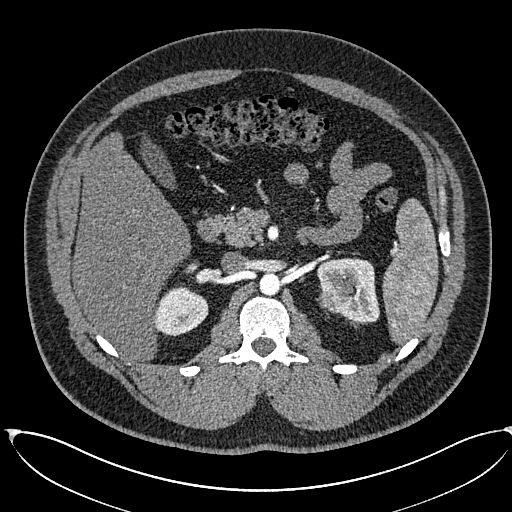
Axial slice 392 of 673 of a contrast-enhanced abdominal CT in the arterial phase (slice 1 is the lowest), 120 kVp, kernel I30f; 1.00 mm slice thickness and 0.855 mm pixels.
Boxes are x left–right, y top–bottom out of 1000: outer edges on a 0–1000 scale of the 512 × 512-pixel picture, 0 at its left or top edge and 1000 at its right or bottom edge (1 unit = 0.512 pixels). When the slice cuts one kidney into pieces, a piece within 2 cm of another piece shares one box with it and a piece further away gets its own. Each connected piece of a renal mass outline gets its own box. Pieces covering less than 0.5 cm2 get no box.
Two kidney boxes and one renal mass box on this slice; by box centre, from the image's left to its right: (1) Box x 301–408, y 512–658 out of 1000: right kidney (outlined area 2,167 px, about 15.9 cm2). (2) Left renal mass, box x 619–693, y 559–615 out of 1000 (outlined area 831 px, about 6.1 cm2). (3) Left kidney at x 619–742, y 504–633 out of 1000 (outlined area 2,531 px, about 18.5 cm2).